Arterial-phase contrast-enhanced abdominal CT, axial slice 408 of 683 (counted from the lowest slice); tube voltage 120 kVp, convolution kernel I30f; slices 1.00 mm thick, 0.738 mm per pixel.
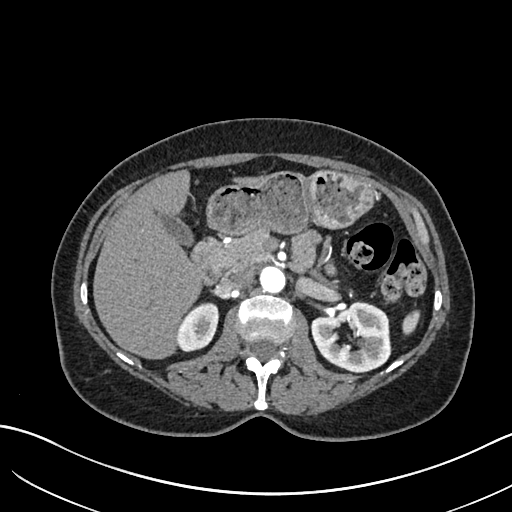
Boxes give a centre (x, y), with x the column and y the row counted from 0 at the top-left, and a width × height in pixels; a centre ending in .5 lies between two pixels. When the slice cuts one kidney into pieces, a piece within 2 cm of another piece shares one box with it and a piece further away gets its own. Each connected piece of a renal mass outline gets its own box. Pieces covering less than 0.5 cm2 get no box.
Two kidney boxes on this slice; by box centre, from the image's left to its right: (1) Box centre (198, 327), 43 × 51 pixels: right kidney (outlined area 1,571 px, about 8.6 cm2). (2) Box centre (350, 335.5), 81 × 72 pixels: left kidney (outlined area 4,157 px, about 22.7 cm2). No renal mass outline on this slice.